Abdominal CT with intravenous contrast, axial plane, 120 kVp, kernel B30f. Slice 253/433 from the bottom of the scan; thickness 1.00 mm; pixel size 0.672 mm.
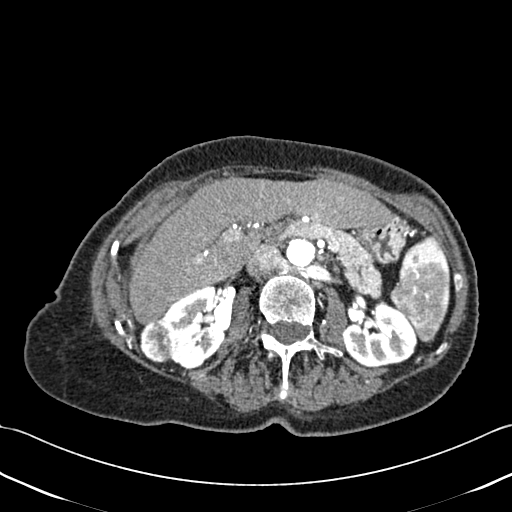
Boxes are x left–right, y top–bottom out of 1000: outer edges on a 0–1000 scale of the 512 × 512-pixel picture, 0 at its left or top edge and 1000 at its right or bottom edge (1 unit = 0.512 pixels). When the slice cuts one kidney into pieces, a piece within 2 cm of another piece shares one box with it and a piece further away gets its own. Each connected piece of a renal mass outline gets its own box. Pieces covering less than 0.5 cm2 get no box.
Two kidney boxes and one renal mass box on this slice; by box centre, from the image's left to its right: (1) Box x 271–344, y 621–709 out of 1000: right renal mass (outlined area 1,320 px, about 6.0 cm2). (2) Right kidney, box x 313–443, y 557–723 out of 1000 (outlined area 3,576 px, about 16.1 cm2). (3) Left kidney at x 668–816, y 590–719 out of 1000 (outlined area 3,574 px, about 16.1 cm2).